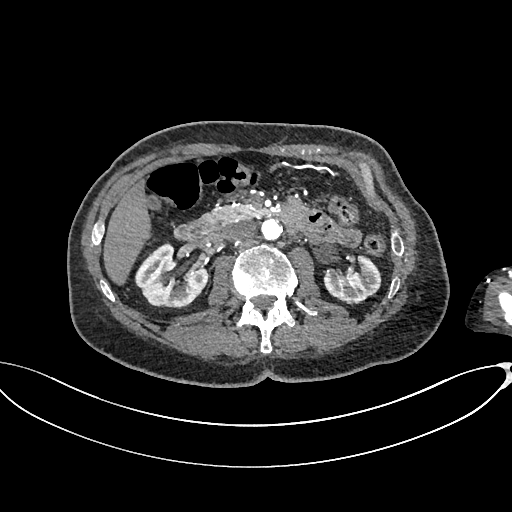
Abdominal CT with intravenous contrast, arterial phase, axial plane, 100 kVp, kernel I26f. Slice 391/665 from the bottom of the scan; thickness 1.00 mm; pixel size 0.828 mm.
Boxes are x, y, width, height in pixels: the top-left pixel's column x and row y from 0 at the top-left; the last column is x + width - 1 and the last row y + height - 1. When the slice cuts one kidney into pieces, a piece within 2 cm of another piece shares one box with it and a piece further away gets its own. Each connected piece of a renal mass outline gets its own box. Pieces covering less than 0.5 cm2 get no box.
Two boxes on this slice (two kidney boxes), listed by box centre from the image's left to its right. (1) Box x 134, y 243, width 75, height 66: right kidney (outlined area 3,316 px, about 22.7 cm2). (2) Box x 324, y 254, width 58, height 51: left kidney (outlined area 1,986 px, about 13.6 cm2). No renal mass is outlined on this slice.